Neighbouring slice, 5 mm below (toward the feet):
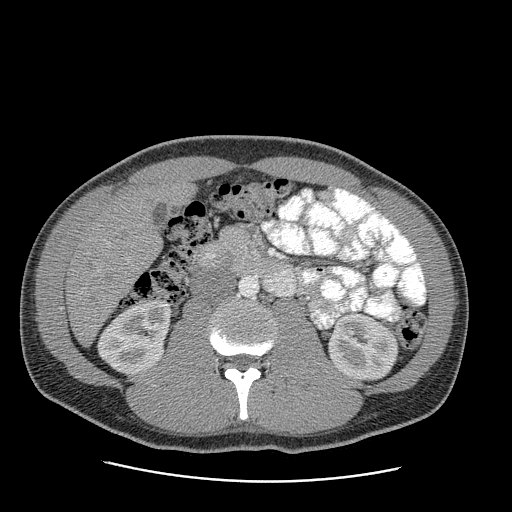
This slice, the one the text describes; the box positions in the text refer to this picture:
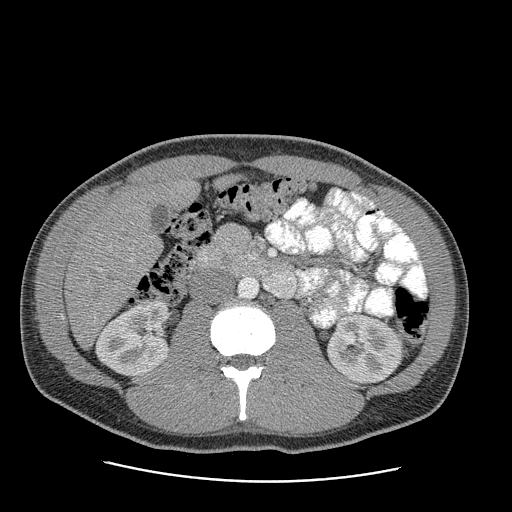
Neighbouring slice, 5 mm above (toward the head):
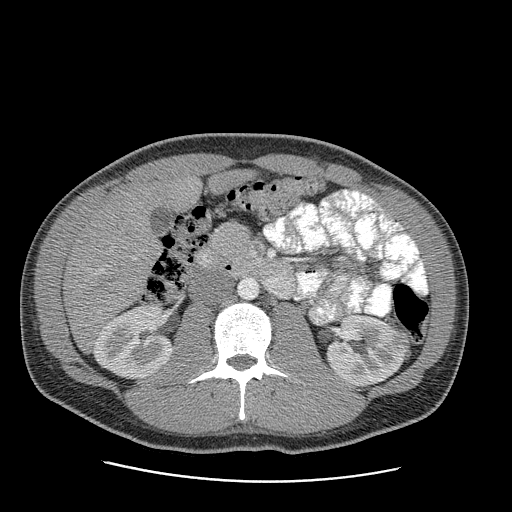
Arterial-phase contrast-enhanced abdominal CT, axial slice 142 of 199 (counted from the lowest slice); tube voltage 120 kVp, convolution kernel STANDARD; slices 2.50 mm thick, 0.789 mm per pixel.
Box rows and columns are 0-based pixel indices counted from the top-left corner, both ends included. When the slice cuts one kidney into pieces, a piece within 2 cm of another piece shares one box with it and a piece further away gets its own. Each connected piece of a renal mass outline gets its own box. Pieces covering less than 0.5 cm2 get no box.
Two kidney boxes and one renal mass box on this slice; by box centre, from the image's left to its right: (1) Right kidney at rows 301–376, columns 95–170 (outlined area 4,292 px, about 26.7 cm2). (2) Box rows 313–384, columns 326–405: left kidney (outlined area 4,072 px, about 25.4 cm2). (3) Left renal mass at rows 332–347, columns 393–403 (outlined area 125 px, about 0.8 cm2). This slice lies near the end of the left renal mass toward the feet; the slices 5 mm below and 5 mm above it are shown too, and the boxes mark positions on this slice only.